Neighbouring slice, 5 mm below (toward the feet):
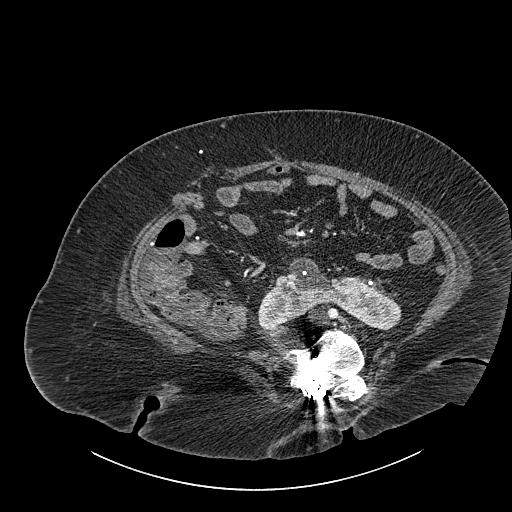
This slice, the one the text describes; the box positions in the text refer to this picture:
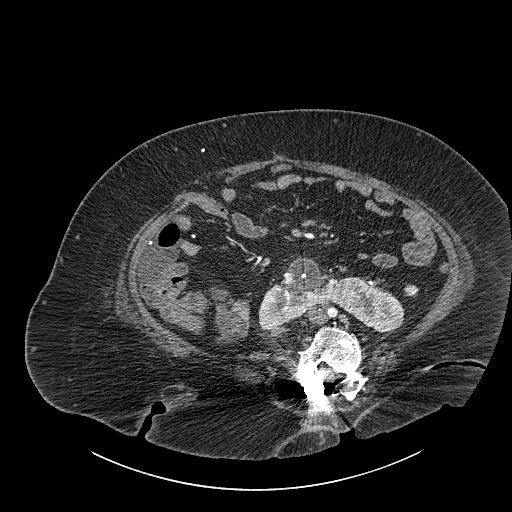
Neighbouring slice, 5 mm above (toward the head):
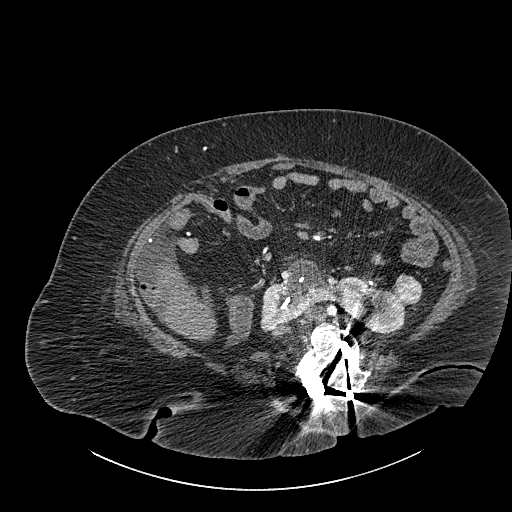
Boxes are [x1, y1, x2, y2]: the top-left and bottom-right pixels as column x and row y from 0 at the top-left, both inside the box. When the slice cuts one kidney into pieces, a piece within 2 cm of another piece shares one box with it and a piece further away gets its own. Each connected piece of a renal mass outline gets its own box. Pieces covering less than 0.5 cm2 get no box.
This is axial slice 472 of 834 (slice 1 is the lowest) of an abdominal CT with contrast; each pixel is 0.977 mm and the slice is 1.00 mm thick. Boxed on this slice (one kidney box and one renal mass box), listed by box centre from the image's left to its right: (1) Box [258, 257, 404, 333]: kidney crossing the body midline (outlined area 5,810 px, about 55.4 cm2). (2) Renal mass, box [403, 284, 418, 297] (outlined area 168 px, about 1.6 cm2). This slice lies near the end of a renal mass toward the feet; the slices 5 mm below and 5 mm above it are shown too, and the boxes mark positions on this slice only.
Acquired at 140 kVp and reconstructed with the I30f kernel.